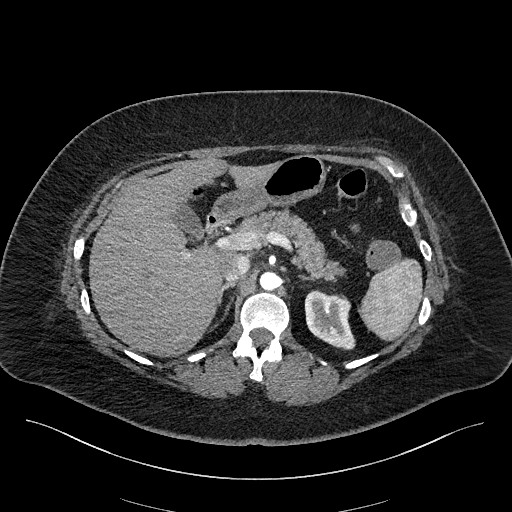
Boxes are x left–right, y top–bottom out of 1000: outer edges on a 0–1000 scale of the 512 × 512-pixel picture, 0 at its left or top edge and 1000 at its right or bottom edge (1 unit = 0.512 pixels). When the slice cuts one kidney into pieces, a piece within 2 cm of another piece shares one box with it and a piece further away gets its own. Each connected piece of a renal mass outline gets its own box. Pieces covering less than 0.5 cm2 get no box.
This is axial slice 149 of 270 (slice 1 is the lowest) of an arterial-phase abdominal CT with contrast; each pixel is 0.855 mm and the slice is 2.00 mm thick. Left kidney, box x 594–695, y 566–684 out of 1000 (outlined area 2,238 px, about 16.4 cm2). No renal mass outline on this slice.
Scan settings: 100 kVp, I40f reconstruction kernel.